One axial slice (336 of 538, counting up from the lowest) of an arterial-phase abdominal CT acquired with 120 kVp, kernel B30f; each pixel is 0.811 mm and the slice is 1.00 mm thick.
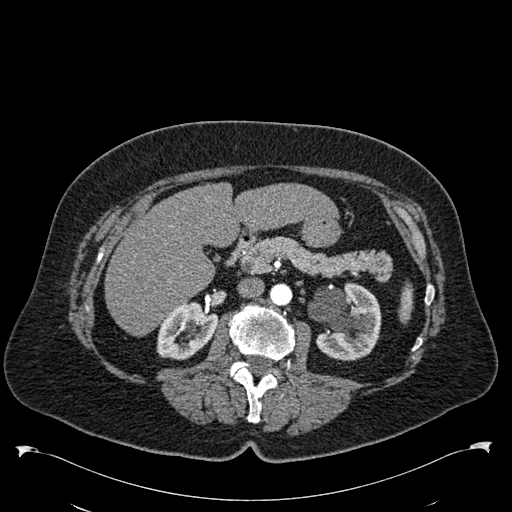
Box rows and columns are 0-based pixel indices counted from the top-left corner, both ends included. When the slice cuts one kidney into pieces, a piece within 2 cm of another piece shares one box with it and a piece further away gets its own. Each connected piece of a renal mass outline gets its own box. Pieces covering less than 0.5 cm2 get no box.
Two kidney boxes on this slice; by box centre, from the image's left to its right: (1) Box rows 301–360, columns 156–218: right kidney (outlined area 2,504 px, about 16.5 cm2). (2) Left kidney at rows 282–360, columns 308–381 (outlined area 4,320 px, about 28.4 cm2). No renal mass is outlined on this slice.